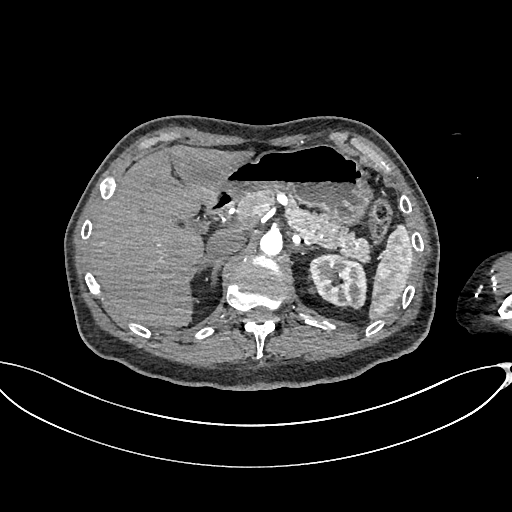
Abdominal CT with intravenous contrast, arterial phase, axial plane, 100 kVp, kernel I26f. Slice 476/665 from the bottom of the scan; thickness 1.00 mm; pixel size 0.828 mm.
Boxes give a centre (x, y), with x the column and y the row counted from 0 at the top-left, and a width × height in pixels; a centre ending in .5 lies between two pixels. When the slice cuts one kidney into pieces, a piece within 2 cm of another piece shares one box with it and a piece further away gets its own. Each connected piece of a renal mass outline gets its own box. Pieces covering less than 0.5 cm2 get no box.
Left kidney, box centre (337, 281), 59 × 57 pixels (outlined area 2,532 px, about 17.4 cm2). No renal mass is outlined on this slice.